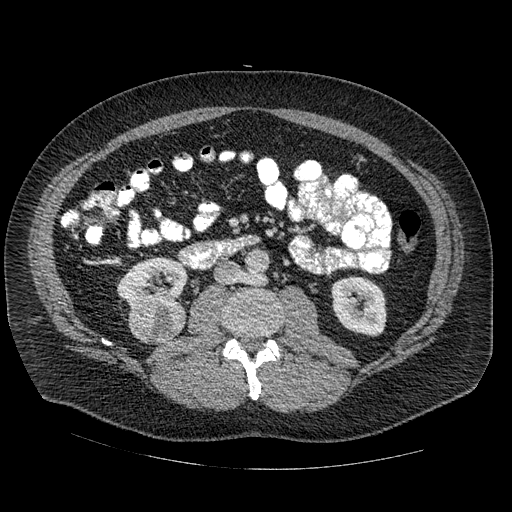
Abdominal CT with intravenous contrast, arterial phase, axial plane, 120 kVp, kernel STANDARD. Slice 253/445 from the bottom of the scan; thickness 1.25 mm; pixel size 0.863 mm.
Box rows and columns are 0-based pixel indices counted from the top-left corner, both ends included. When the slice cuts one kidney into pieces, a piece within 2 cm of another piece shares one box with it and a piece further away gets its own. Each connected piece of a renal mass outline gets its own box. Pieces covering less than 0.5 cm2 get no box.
Boxed on this slice (two kidney boxes and one renal mass box), listed by box centre from the image's left to its right: (1) Right kidney at rows 256–311, columns 116–187 (outlined area 2,649 px, about 19.7 cm2). (2) Right renal mass at rows 300–343, columns 128–185 (outlined area 1,962 px, about 14.6 cm2). (3) Left kidney at rows 276–336, columns 331–386 (outlined area 2,718 px, about 20.3 cm2).